One axial slice (225 of 389, counting up from the lowest) of an arterial-phase abdominal CT acquired with 120 kVp, kernel STANDARD; each pixel is 0.869 mm and the slice is 1.25 mm thick.
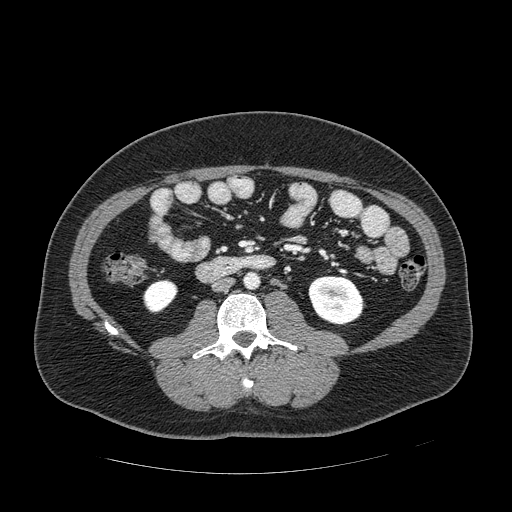
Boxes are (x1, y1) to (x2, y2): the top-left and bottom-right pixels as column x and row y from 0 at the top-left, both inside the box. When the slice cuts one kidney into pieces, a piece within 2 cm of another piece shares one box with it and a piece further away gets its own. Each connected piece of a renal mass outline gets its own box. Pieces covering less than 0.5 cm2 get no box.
Boxed on this slice (two kidney boxes), listed by box centre from the image's left to its right: (1) Box (142, 279) to (177, 313): right kidney (outlined area 879 px, about 6.6 cm2). (2) Left kidney, box (308, 275) to (363, 325) (outlined area 2,170 px, about 16.4 cm2). No renal mass is outlined on this slice.